Contrast-enhanced abdominal CT, axial slice 445 of 834 (counted from the lowest slice); tube voltage 140 kVp, convolution kernel I30f; slices 1.00 mm thick, 0.977 mm per pixel.
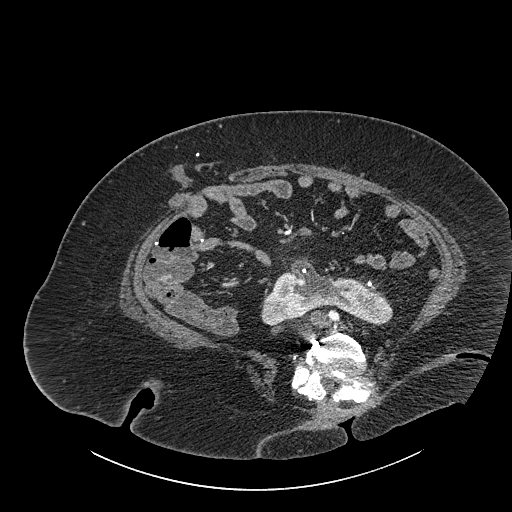
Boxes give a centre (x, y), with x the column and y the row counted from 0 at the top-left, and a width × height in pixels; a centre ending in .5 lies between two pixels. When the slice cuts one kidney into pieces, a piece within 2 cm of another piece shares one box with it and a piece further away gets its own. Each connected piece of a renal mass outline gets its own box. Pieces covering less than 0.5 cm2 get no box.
Kidney crossing the body midline, box centre (326, 291.5), 133 × 70 pixels (outlined area 5,049 px, about 48.2 cm2). This slice carries no renal mass outline.